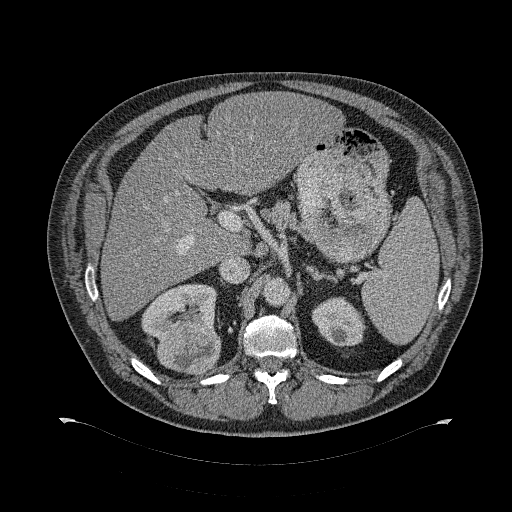
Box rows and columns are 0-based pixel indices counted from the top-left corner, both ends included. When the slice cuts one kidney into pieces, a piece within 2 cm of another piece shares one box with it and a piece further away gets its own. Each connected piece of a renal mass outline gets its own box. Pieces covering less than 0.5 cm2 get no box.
This is axial slice 211 of 274 (slice 1 is the lowest) of an abdominal CT with contrast; each pixel is 0.977 mm and the slice is 2.00 mm thick. Two kidney boxes and one renal mass box on this slice; by box centre, from the image's left to its right: (1) Right kidney at rows 283–339, columns 141–216 (outlined area 2,768 px, about 26.4 cm2). (2) Right renal mass, box rows 321–374, columns 157–220 (outlined area 2,661 px, about 25.4 cm2). (3) Box rows 297–346, columns 311–366: left kidney (outlined area 2,009 px, about 19.2 cm2).
Acquired at 120 kVp and reconstructed with the B31f kernel.